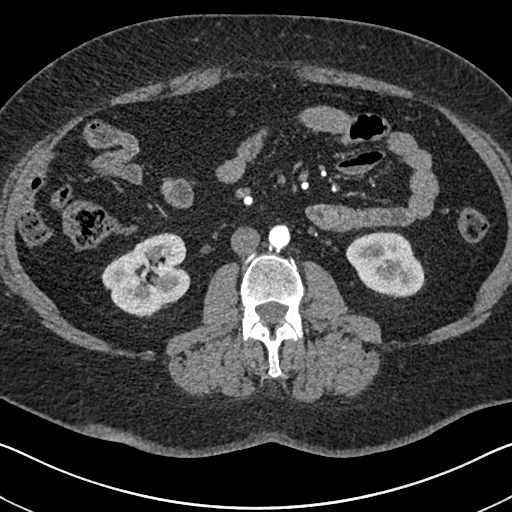
Abdominal CT with intravenous contrast, arterial phase, axial plane, 140 kVp, kernel I30f. Slice 330/591 from the bottom of the scan; thickness 1.00 mm; pixel size 0.703 mm.
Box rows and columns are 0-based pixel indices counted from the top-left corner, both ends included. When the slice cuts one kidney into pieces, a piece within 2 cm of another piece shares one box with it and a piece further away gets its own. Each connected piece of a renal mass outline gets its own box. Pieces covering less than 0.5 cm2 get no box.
Boxed on this slice (two kidney boxes), listed by box centre from the image's left to its right: (1) Right kidney, box rows 232–317, columns 101–190 (outlined area 5,237 px, about 25.9 cm2). (2) Left kidney, box rows 231–298, columns 346–425 (outlined area 3,856 px, about 19.1 cm2). No renal mass is outlined on this slice.